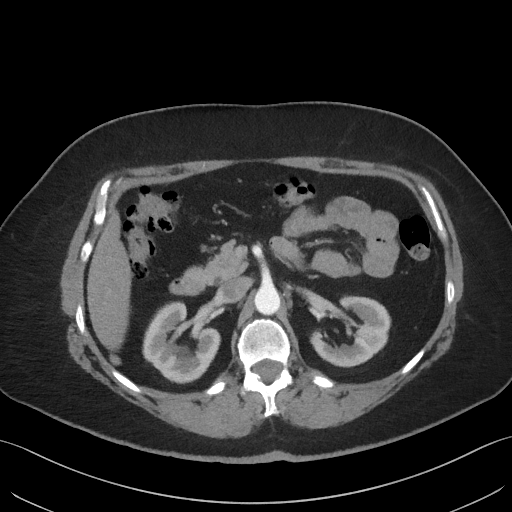
One axial slice (34 of 69, counting up from the lowest) of a contrast-enhanced abdominal CT acquired with 140 kVp, kernel I41f; each pixel is 0.736 mm and the slice is 3.00 mm thick.
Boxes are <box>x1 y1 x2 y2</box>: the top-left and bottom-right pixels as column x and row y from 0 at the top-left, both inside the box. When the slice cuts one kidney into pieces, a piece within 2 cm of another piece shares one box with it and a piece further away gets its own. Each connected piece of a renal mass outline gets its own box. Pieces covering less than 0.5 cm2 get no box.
Two kidney boxes on this slice; by box centre, from the image's left to its right: (1) Right kidney at <box>142 301 220 380</box> (outlined area 4,256 px, about 23.1 cm2). (2) Left kidney: <box>310 296 391 367</box> (outlined area 3,547 px, about 19.2 cm2). No renal mass is outlined on this slice.